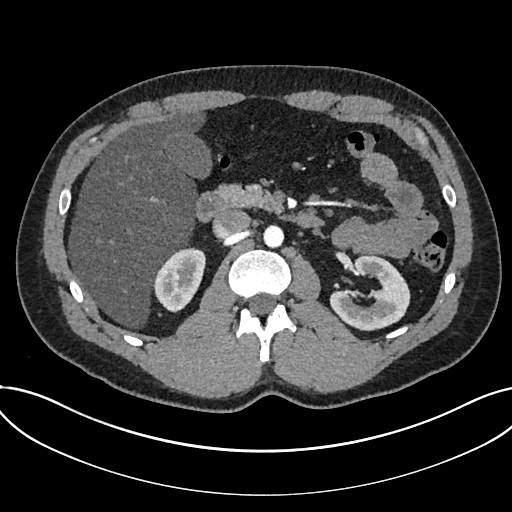
One axial slice (445 of 735, counting up from the lowest) of an arterial-phase abdominal CT acquired with 120 kVp, kernel I30f; each pixel is 0.789 mm and the slice is 1.00 mm thick.
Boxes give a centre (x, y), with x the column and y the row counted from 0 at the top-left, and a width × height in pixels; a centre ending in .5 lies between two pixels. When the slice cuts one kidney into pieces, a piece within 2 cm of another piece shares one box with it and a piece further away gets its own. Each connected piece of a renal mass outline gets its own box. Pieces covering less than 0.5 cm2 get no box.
Boxed on this slice (two kidney boxes), listed by box centre from the image's left to its right: (1) Kidney in a box with centre (179, 279.5), 53 × 66 pixels (outlined area 2,374 px, about 14.8 cm2). (2) Kidney in a box with centre (369, 293), 81 × 77 pixels (outlined area 3,854 px, about 24.0 cm2). No renal mass is outlined on this slice.